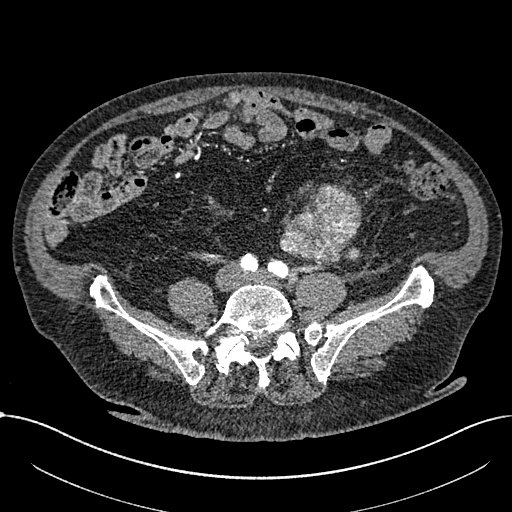
Arterial-phase contrast-enhanced abdominal CT, axial slice 185 of 1059 (counted from the lowest slice); tube voltage 100 kVp, convolution kernel I30f; slices 1.00 mm thick, 0.811 mm per pixel.
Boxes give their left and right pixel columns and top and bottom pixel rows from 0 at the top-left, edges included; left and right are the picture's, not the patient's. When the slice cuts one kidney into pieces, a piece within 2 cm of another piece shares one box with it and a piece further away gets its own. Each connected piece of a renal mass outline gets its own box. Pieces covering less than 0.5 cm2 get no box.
Renal mass, the box with left 279, top 186, right 361, bottom 265 (outlined area 4,506 px, about 29.6 cm2); no kidney outline appears on this slice, but the same outlined renal mass comes within 1 cm of the kidney on another slice.